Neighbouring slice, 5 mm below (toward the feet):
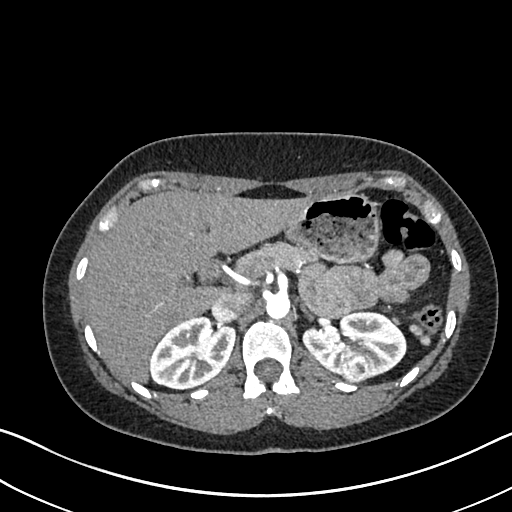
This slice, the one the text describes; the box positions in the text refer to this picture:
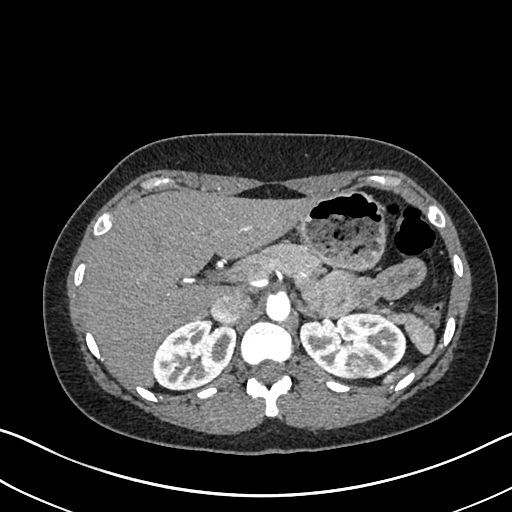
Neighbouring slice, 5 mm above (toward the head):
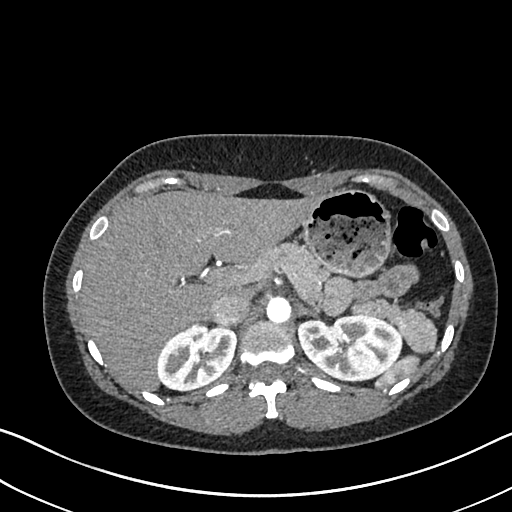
Arterial-phase contrast-enhanced abdominal CT, axial slice 488 of 612 (counted from the lowest slice); tube voltage 120 kVp, convolution kernel I30f; slices 1.00 mm thick, 0.703 mm per pixel.
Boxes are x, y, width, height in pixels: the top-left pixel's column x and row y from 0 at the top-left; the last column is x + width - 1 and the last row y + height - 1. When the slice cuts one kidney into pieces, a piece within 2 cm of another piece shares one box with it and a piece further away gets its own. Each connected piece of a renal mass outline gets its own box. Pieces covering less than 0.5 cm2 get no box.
Three boxes on this slice (two kidney boxes and one renal mass box), listed by box centre from the image's left to its right. (1) Box x 152, y 318, width 84, height 72: right kidney (outlined area 4,432 px, about 21.9 cm2). (2) Left kidney at x 299, y 311, width 108, height 70 (outlined area 5,417 px, about 26.8 cm2). (3) Left renal mass at x 349, y 359, width 17, height 18 (outlined area 233 px, about 1.2 cm2). This slice is near the end of the left renal mass toward the head, so the slices 5 mm below and 5 mm above it are shown as well; the boxes refer to this slice only.